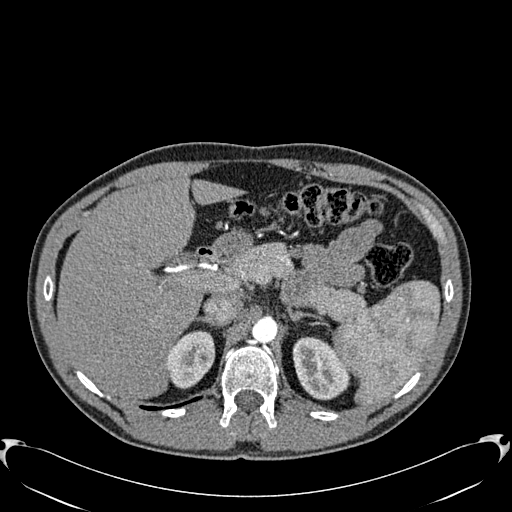
One axial slice (432 of 512, counting up from the lowest) of an arterial-phase abdominal CT acquired with 120 kVp, kernel B30f; each pixel is 0.771 mm and the slice is 1.00 mm thick.
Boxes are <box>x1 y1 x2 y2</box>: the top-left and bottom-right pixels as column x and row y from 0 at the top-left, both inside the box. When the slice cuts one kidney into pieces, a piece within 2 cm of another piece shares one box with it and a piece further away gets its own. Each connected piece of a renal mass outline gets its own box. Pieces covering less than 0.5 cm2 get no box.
Two kidney boxes and one renal mass box on this slice; by box centre, from the image's left to its right: (1) Right kidney at <box>166 330 215 388</box> (outlined area 1,805 px, about 10.7 cm2). (2) At <box>195 348 215 370</box>: right renal mass (outlined area 323 px, about 1.9 cm2). (3) At <box>292 336 349 400</box>: left kidney (outlined area 2,658 px, about 15.8 cm2).